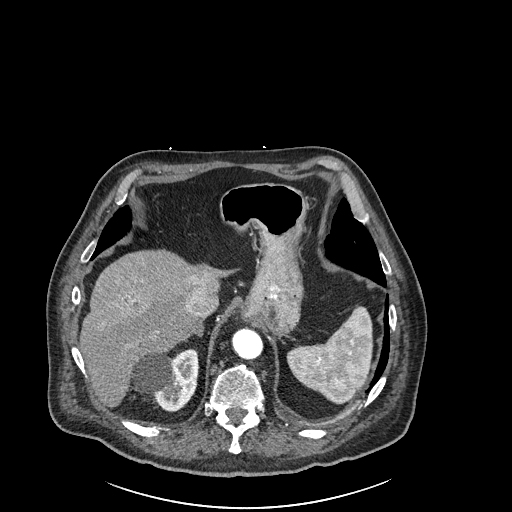
One axial slice (197 of 261, counting up from the lowest) of an arterial-phase abdominal CT acquired with 120 kVp, kernel I30f; each pixel is 0.939 mm and the slice is 2.00 mm thick.
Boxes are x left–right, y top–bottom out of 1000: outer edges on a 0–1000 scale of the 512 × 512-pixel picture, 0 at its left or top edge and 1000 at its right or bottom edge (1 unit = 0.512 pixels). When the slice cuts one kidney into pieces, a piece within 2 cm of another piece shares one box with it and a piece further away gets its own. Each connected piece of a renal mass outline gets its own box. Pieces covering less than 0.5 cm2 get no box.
Box x 256–389, y 680–805 out of 1000: right kidney (outlined area 3,026 px, about 26.7 cm2). This slice carries no renal mass outline.